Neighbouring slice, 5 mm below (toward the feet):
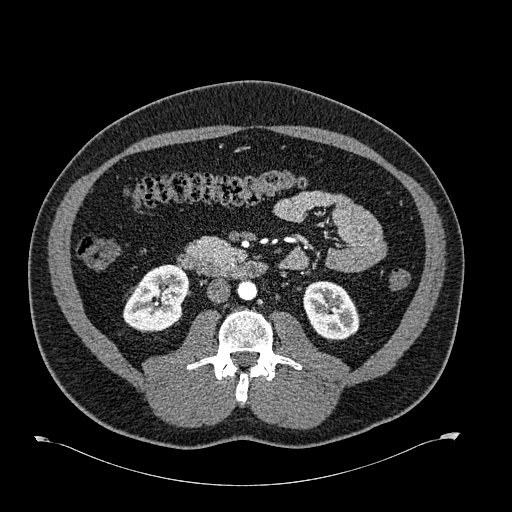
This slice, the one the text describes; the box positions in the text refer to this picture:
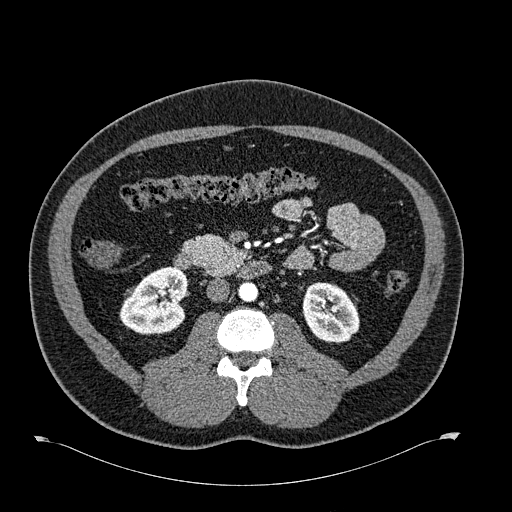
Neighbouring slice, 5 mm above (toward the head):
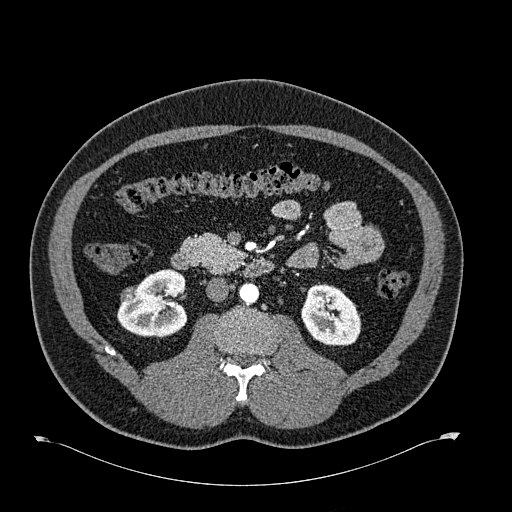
One axial slice (330 of 723, counting up from the lowest) of an arterial-phase abdominal CT acquired with 120 kVp, kernel B30f; each pixel is 0.895 mm and the slice is 1.00 mm thick.
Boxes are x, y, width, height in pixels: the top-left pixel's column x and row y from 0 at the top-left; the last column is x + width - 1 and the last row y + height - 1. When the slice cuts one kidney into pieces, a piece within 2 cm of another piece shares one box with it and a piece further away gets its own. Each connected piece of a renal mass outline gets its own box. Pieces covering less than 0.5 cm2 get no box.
Boxed on this slice (two kidney boxes and one renal mass box), listed by box centre from the image's left to its right: (1) Right renal mass at x 124, y 287, width 11, height 12 (outlined area 78 px, about 0.6 cm2). (2) Right kidney, box x 119, y 266, width 70, height 70 (outlined area 3,481 px, about 27.9 cm2). (3) Left kidney at x 302, y 282, width 58, height 62 (outlined area 2,725 px, about 21.8 cm2). This slice is near the end of the right renal mass toward the feet, so the slices 5 mm below and 5 mm above it are shown as well; the boxes refer to this slice only.